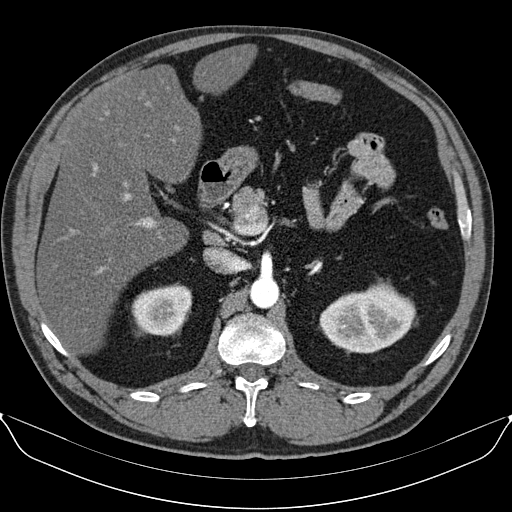
Axial slice 66 of 96 of a contrast-enhanced abdominal CT in the arterial phase (slice 1 is the lowest), 130 kVp, kernel B30s; 3.00 mm slice thickness and 0.781 mm pixels.
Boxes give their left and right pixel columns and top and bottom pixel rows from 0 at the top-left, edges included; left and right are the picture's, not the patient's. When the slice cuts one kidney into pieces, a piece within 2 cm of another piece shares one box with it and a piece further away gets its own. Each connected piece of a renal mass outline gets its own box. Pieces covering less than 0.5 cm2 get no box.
Two boxes on this slice (two kidney boxes), listed by box centre from the image's left to its right. (1) Box with left 132, top 285, right 191, bottom 335: right kidney (outlined area 2,389 px, about 14.6 cm2). (2) Box with left 319, top 281, right 415, bottom 353: left kidney (outlined area 4,909 px, about 30.0 cm2). This slice carries no renal mass outline.